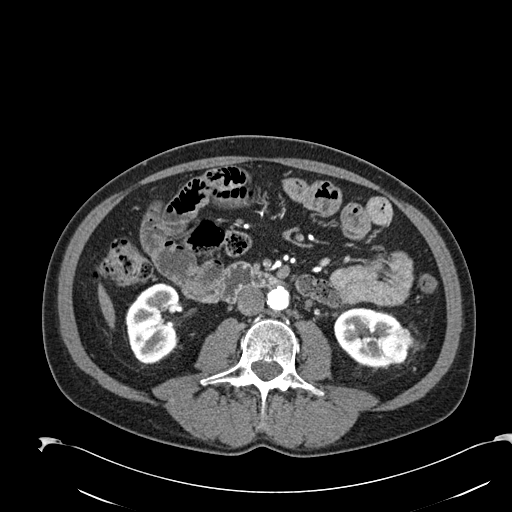
Axial slice 86 of 274 of a contrast-enhanced abdominal CT in the arterial phase (slice 1 is the lowest), 120 kVp, kernel B30f; 2.00 mm slice thickness and 0.809 mm pixels.
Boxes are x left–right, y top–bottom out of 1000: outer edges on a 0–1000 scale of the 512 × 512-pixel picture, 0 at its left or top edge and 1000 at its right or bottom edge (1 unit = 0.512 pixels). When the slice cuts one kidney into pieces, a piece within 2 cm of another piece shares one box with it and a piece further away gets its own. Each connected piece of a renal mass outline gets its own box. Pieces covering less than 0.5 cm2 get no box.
Three boxes on this slice (two kidney boxes and one renal mass box), listed by box centre from the image's left to its right. (1) Box x 244–354, y 553–713 out of 1000: right kidney (outlined area 3,455 px, about 22.6 cm2). (2) Left kidney at x 652–787, y 600–721 out of 1000 (outlined area 2,793 px, about 18.3 cm2). (3) Left renal mass at x 744–807, y 639–713 out of 1000 (outlined area 812 px, about 5.3 cm2).